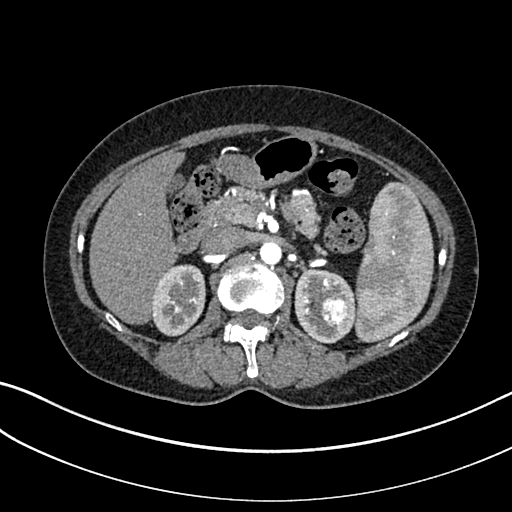
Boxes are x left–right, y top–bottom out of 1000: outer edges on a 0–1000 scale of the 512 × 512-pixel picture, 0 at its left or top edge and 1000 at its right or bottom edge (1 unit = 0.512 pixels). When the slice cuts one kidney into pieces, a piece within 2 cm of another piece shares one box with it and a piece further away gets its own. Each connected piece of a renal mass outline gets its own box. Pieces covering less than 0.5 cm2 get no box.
Slice 200/325 of a contrast-enhanced abdominal CT in the arterial phase, counting up from the lowest; pixel size 0.703 mm, slice thickness 1.00 mm. Two kidney boxes and one renal mass box on this slice; by box centre, from the image's left to its right: (1) Box x 295–402, y 516–658 out of 1000: right kidney (outlined area 3,125 px, about 15.4 cm2). (2) Left kidney at x 574–695, y 523–672 out of 1000 (outlined area 2,899 px, about 14.3 cm2). (3) Left renal mass at x 625–684, y 576–643 out of 1000 (outlined area 790 px, about 3.9 cm2).
Acquired at 100 kVp and reconstructed with the I30f kernel.